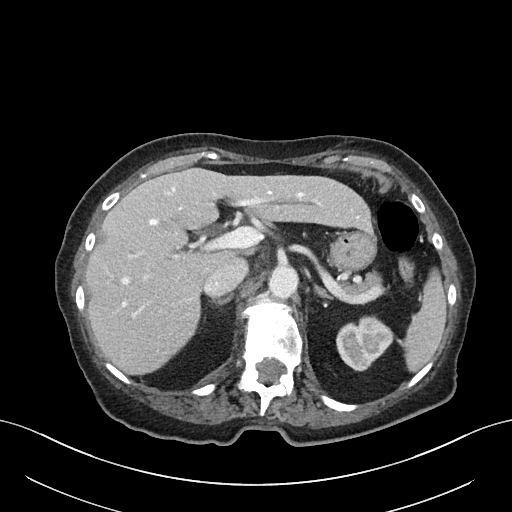
One axial slice (47 of 76, counting up from the lowest) of a contrast-enhanced abdominal CT acquired with 100 kVp, kernel I40f; each pixel is 0.768 mm and the slice is 3.00 mm thick.
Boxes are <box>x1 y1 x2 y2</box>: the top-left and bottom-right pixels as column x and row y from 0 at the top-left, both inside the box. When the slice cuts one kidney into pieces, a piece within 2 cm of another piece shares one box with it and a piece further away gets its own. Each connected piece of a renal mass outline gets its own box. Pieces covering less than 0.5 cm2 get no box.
Left kidney at <box>336 315 393 371</box> (outlined area 2,236 px, about 13.2 cm2). This slice carries no renal mass outline.